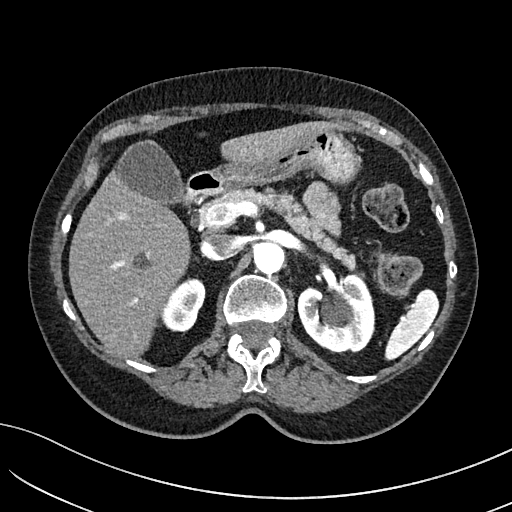
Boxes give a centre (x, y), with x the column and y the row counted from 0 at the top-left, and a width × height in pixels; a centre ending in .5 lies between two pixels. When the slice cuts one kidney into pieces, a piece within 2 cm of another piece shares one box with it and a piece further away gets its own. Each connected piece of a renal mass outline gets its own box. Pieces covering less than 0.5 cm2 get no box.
This is axial slice 96 of 234 (slice 1 is the lowest) of an arterial-phase abdominal CT with contrast; each pixel is 0.699 mm and the slice is 2.00 mm thick. Two kidney boxes on this slice; by box centre, from the image's left to its right: (1) Box centre (182, 304.5), 47 × 54 pixels: right kidney (outlined area 1,739 px, about 8.5 cm2). (2) Box centre (336, 312.5), 79 × 82 pixels: left kidney (outlined area 4,724 px, about 23.1 cm2). No renal mass outline on this slice.
Tube voltage 100 kVp; convolution kernel I40f.